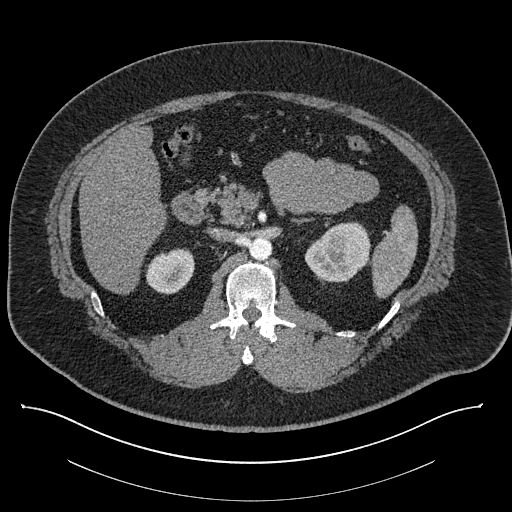
One axial slice (533 of 787, counting up from the lowest) of a contrast-enhanced abdominal CT acquired with 140 kVp, kernel I30f; each pixel is 0.910 mm and the slice is 1.00 mm thick.
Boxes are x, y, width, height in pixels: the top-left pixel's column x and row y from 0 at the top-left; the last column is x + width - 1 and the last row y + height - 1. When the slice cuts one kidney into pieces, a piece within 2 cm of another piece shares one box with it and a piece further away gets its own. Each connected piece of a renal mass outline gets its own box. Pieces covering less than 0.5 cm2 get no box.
Boxed on this slice (two kidney boxes), listed by box centre from the image's left to its right: (1) Right kidney at x 145, y 248, width 50, height 47 (outlined area 1,747 px, about 14.5 cm2). (2) Left kidney at x 304, y 221, width 67, height 62 (outlined area 2,976 px, about 24.7 cm2). No renal mass outline on this slice.